Arterial-phase contrast-enhanced abdominal CT, axial slice 44 of 97 (counted from the lowest slice); tube voltage 100 kVp, convolution kernel I40f; slices 3.00 mm thick, 0.797 mm per pixel.
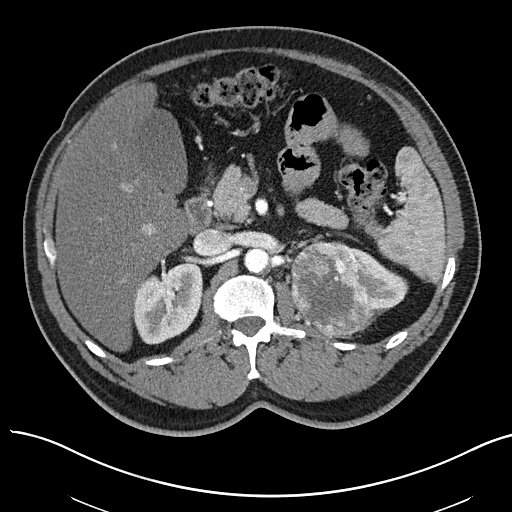
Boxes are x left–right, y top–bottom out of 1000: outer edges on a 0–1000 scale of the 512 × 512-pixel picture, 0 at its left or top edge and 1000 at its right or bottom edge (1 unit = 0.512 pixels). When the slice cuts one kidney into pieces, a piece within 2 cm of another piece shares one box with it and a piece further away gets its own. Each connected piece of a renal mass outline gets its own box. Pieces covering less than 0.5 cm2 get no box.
Boxed on this slice (two kidney boxes and one renal mass box), listed by box centre from the image's left to its right: (1) Right kidney at x 254–398, y 510–674 out of 1000 (outlined area 4,332 px, about 27.5 cm2). (2) Left renal mass at x 566–736, y 469–662 out of 1000 (outlined area 6,264 px, about 39.8 cm2). (3) Box x 682–799, y 482–617 out of 1000: left kidney (outlined area 1,843 px, about 11.7 cm2).